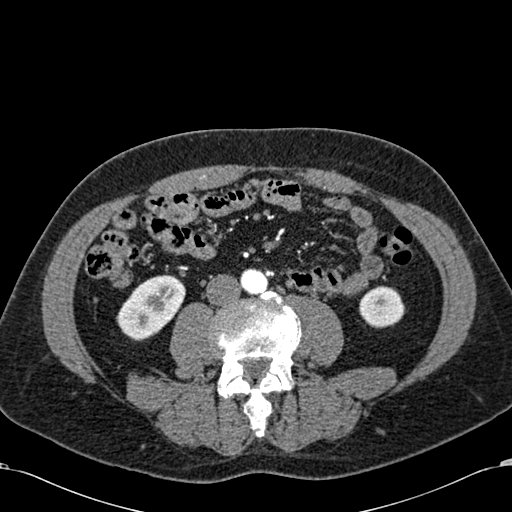
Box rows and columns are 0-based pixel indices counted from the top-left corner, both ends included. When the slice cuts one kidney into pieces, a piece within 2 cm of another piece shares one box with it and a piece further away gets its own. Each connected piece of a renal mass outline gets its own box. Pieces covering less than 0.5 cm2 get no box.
This is axial slice 225 of 581 (slice 1 is the lowest) of an arterial-phase abdominal CT with contrast; each pixel is 0.713 mm and the slice is 1.00 mm thick. Boxed on this slice (two kidney boxes), listed by box centre from the image's left to its right: (1) Right kidney at rows 274–340, columns 116–185 (outlined area 3,067 px, about 15.6 cm2). (2) Left kidney, box rows 286–328, columns 359–404 (outlined area 1,517 px, about 7.7 cm2). No renal mass outline on this slice.
Scan settings: 120 kVp, B30f reconstruction kernel.